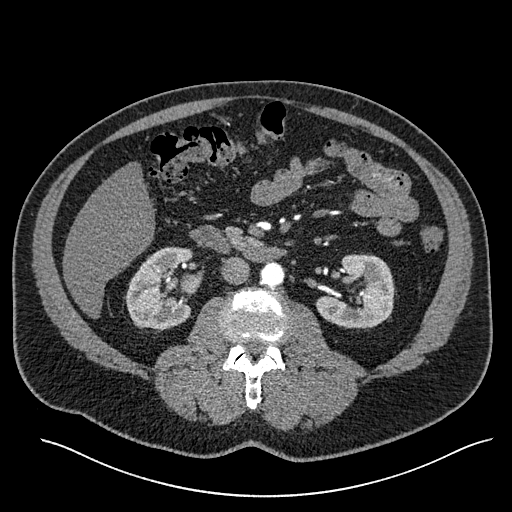
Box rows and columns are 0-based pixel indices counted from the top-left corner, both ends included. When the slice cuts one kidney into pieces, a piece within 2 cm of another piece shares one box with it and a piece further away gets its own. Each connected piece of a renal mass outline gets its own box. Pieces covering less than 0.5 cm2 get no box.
Arterial-phase contrast-enhanced abdominal CT, axial slice 298 of 527 (counted from the lowest slice); 1.00 mm thick, 0.859 mm per pixel. Two kidney boxes on this slice; by box centre, from the image's left to its right: (1) Right kidney, box rows 247–332, columns 124–191 (outlined area 4,327 px, about 32.0 cm2). (2) Box rows 254–328, columns 316–395: left kidney (outlined area 4,194 px, about 31.0 cm2). No renal mass is outlined on this slice.
Tube voltage 120 kVp; convolution kernel I30f.